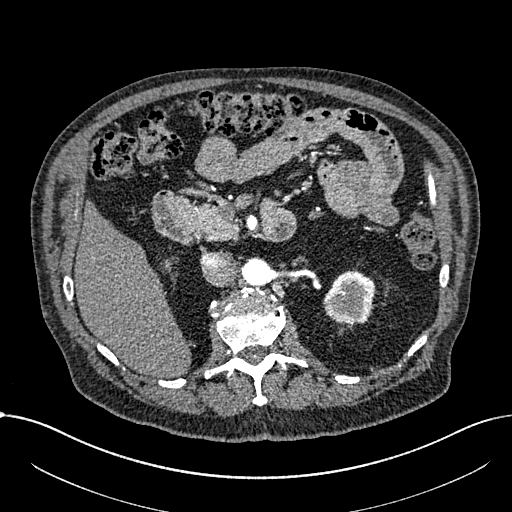
Axial slice 436 of 1059 of a contrast-enhanced abdominal CT in the arterial phase (slice 1 is the lowest), 100 kVp, kernel I30f; 1.00 mm slice thickness and 0.811 mm pixels.
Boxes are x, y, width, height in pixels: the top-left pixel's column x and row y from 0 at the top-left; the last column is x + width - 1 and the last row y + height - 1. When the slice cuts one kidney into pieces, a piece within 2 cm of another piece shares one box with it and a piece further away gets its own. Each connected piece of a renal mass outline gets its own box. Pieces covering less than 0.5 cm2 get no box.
Boxed on this slice (two kidney boxes), listed by box centre from the image's left to its right: (1) Right part of the midline-crossing kidney, box x 162, y 258, width 10, height 15 (outlined area 111 px, about 0.7 cm2). (2) Left part of the midline-crossing kidney, box x 323, y 270, width 53, height 56 (outlined area 2,232 px, about 14.7 cm2). This slice carries no renal mass outline.